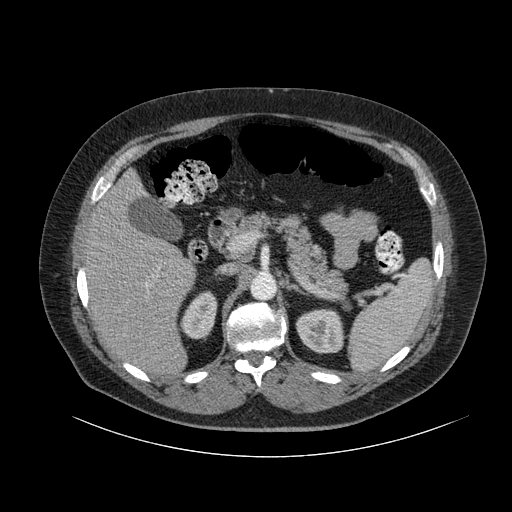
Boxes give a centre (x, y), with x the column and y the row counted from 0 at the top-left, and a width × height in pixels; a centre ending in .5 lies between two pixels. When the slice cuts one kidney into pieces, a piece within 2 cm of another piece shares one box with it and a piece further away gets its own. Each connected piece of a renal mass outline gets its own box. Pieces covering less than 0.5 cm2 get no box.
Slice 65/105 of a contrast-enhanced abdominal CT, counting up from the lowest; pixel size 0.977 mm, slice thickness 3.00 mm. Boxed on this slice (two kidney boxes), listed by box centre from the image's left to its right: (1) Right kidney in a box with centre (198, 314.5), 39 × 50 pixels (outlined area 1,346 px, about 12.8 cm2). (2) Left kidney in a box with centre (319.5, 330.5), 50 × 46 pixels (outlined area 1,791 px, about 17.1 cm2). This slice carries no renal mass outline.
Acquired at 120 kVp and reconstructed with the B kernel.